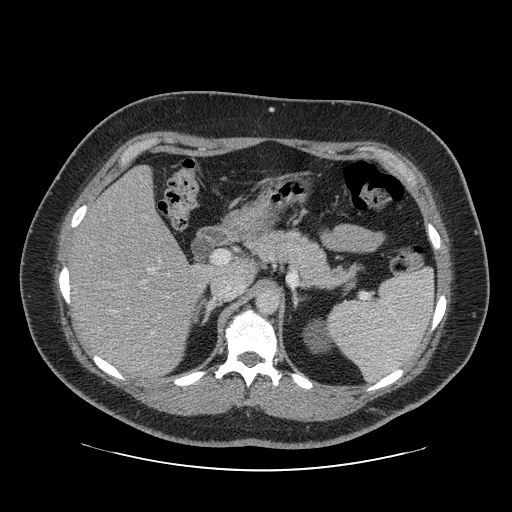
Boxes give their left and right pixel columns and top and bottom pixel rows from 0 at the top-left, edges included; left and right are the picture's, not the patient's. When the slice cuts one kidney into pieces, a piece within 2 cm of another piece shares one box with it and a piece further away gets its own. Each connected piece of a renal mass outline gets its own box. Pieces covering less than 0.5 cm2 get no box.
Slice 61/69 of a contrast-enhanced abdominal CT in the arterial phase, counting up from the lowest; pixel size 0.846 mm, slice thickness 2.50 mm. Box with left 302, top 319, right 334, bottom 353: left kidney (outlined area 749 px, about 5.4 cm2). No renal mass outline on this slice.
Scan settings: 120 kVp, STANDARD reconstruction kernel.